Arterial-phase contrast-enhanced abdominal CT, axial slice 36 of 69 (counted from the lowest slice); tube voltage 120 kVp, convolution kernel I40f; slices 3.00 mm thick, 0.664 mm per pixel.
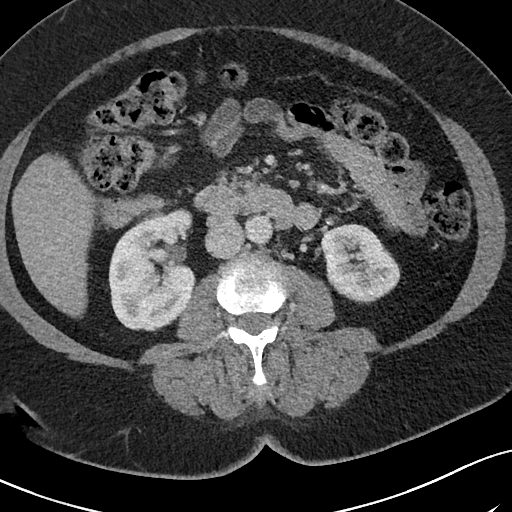
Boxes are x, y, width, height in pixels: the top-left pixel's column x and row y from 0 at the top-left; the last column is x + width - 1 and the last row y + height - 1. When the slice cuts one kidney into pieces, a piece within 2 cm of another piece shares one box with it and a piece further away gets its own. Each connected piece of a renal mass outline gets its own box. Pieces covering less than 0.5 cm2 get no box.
Three boxes on this slice (two kidney boxes and one renal mass box), listed by box centre from the image's left to its right. (1) Right renal mass, box x 124, y 271, width 30, height 23 (outlined area 554 px, about 2.4 cm2). (2) Box x 108, y 208, width 88, height 124: right kidney (outlined area 7,693 px, about 33.9 cm2). (3) Left kidney, box x 321, y 223, width 80, height 81 (outlined area 4,599 px, about 20.3 cm2).